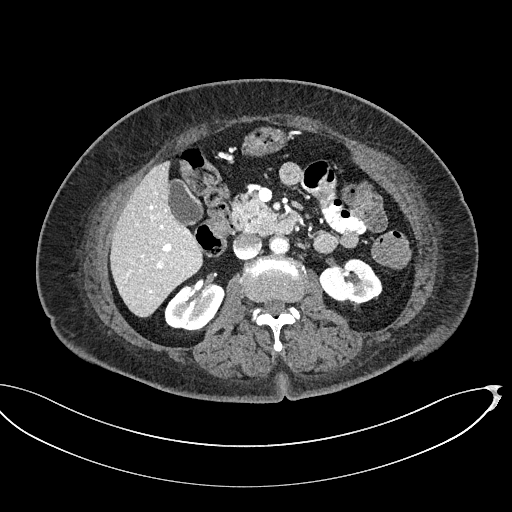
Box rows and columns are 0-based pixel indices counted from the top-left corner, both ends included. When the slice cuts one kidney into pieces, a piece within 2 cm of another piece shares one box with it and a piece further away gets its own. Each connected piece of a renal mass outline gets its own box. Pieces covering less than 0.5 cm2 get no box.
This is axial slice 290 of 439 (slice 1 is the lowest) of an abdominal CT with contrast; each pixel is 0.850 mm and the slice is 2.00 mm thick. Boxed on this slice (two kidney boxes), listed by box centre from the image's left to its right: (1) Right kidney at rows 283–332, columns 164–224 (outlined area 2,135 px, about 15.4 cm2). (2) Left kidney, box rows 257–308, columns 319–382 (outlined area 2,165 px, about 15.6 cm2). This slice carries no renal mass outline.
Acquired at 100 kVp and reconstructed with the I40f kernel.